Abdominal CT with intravenous contrast, arterial phase, axial plane, 120 kVp, kernel I26f. Slice 214/548 from the bottom of the scan; thickness 1.00 mm; pixel size 0.852 mm.
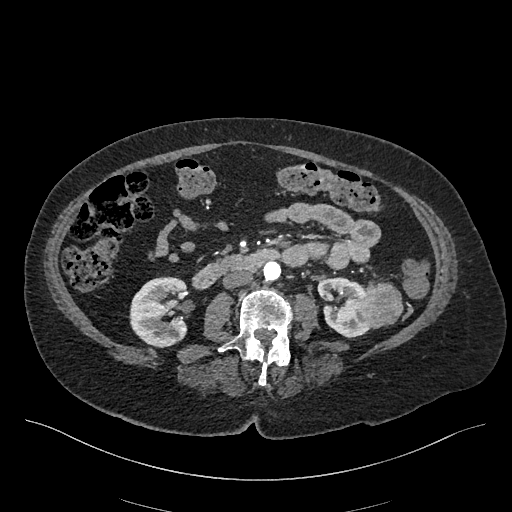
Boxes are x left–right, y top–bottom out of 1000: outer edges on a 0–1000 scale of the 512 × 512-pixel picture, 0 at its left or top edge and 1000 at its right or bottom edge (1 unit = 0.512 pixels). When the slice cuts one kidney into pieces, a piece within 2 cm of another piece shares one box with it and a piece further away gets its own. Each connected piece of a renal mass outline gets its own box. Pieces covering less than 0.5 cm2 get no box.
Two kidney boxes and one renal mass box on this slice; by box centre, from the image's left to its right: (1) Right kidney at x 252–369, y 539–680 out of 1000 (outlined area 3,375 px, about 24.5 cm2). (2) Left kidney, box x 619–721, y 541–662 out of 1000 (outlined area 2,223 px, about 16.1 cm2). (3) Left renal mass at x 701–789, y 549–645 out of 1000 (outlined area 1,613 px, about 11.7 cm2).